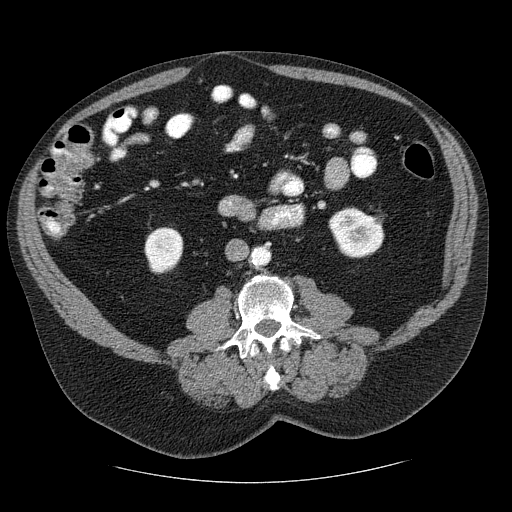
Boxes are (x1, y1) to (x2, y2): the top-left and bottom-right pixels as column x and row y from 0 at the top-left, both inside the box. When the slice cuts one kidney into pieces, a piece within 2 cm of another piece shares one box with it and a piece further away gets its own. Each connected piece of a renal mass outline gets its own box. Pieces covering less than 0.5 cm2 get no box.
Slice 112/206 of a contrast-enhanced abdominal CT, counting up from the lowest; pixel size 0.879 mm, slice thickness 2.50 mm. Two boxes on this slice (two kidney boxes), listed by box centre from the image's left to its right. (1) Box (144, 227) to (183, 274): right kidney (outlined area 1,492 px, about 11.5 cm2). (2) Box (328, 206) to (384, 258): left kidney (outlined area 2,174 px, about 16.8 cm2). No renal mass outline on this slice.
Scan settings: 120 kVp, STANDARD reconstruction kernel.